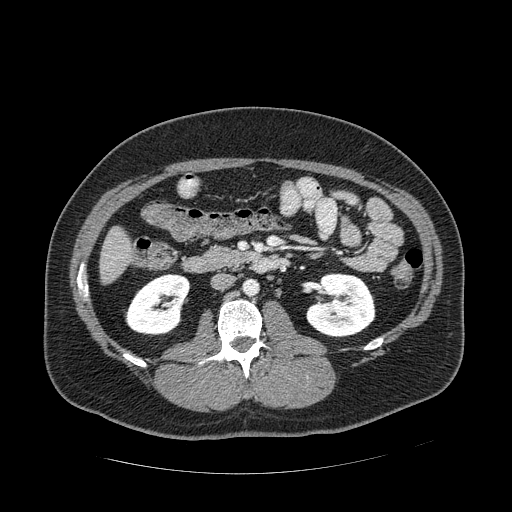
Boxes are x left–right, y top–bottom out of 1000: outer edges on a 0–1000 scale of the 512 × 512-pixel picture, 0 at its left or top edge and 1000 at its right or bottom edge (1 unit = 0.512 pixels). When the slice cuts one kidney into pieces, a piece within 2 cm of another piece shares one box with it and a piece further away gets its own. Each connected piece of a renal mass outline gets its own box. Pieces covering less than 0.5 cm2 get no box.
This is axial slice 246 of 389 (slice 1 is the lowest) of an arterial-phase abdominal CT with contrast; each pixel is 0.869 mm and the slice is 1.25 mm thick. Two boxes on this slice (two kidney boxes), listed by box centre from the image's left to its right. (1) Right kidney at x 242–373, y 533–658 out of 1000 (outlined area 2,941 px, about 22.2 cm2). (2) Left kidney, box x 596–734, y 533–662 out of 1000 (outlined area 3,502 px, about 26.5 cm2). No renal mass outline on this slice.
Tube voltage 120 kVp; convolution kernel STANDARD.